One axial slice (67 of 88, counting up from the lowest) of a contrast-enhanced abdominal CT acquired with 120 kVp, kernel B; each pixel is 0.865 mm and the slice is 5.00 mm thick.
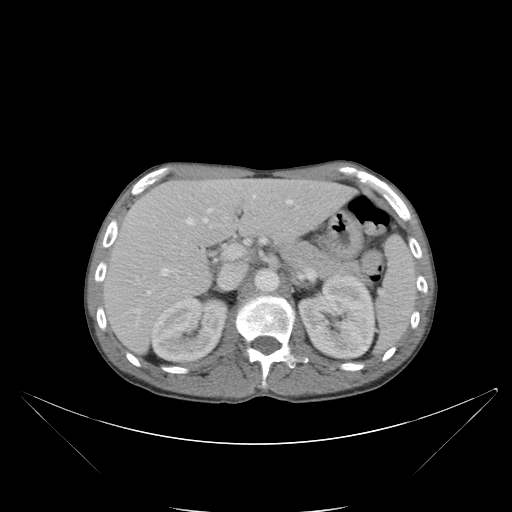
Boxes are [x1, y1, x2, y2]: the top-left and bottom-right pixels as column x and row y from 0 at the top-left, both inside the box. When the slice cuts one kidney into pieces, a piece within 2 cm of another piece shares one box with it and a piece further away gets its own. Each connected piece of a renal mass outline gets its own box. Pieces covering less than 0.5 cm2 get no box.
Two kidney boxes on this slice; by box centre, from the image's left to its right: (1) Box [151, 295, 228, 363]: right kidney (outlined area 4,097 px, about 30.7 cm2). (2) Left kidney, box [297, 274, 374, 359] (outlined area 5,216 px, about 39.0 cm2). No renal mass outline on this slice.